Arterial-phase contrast-enhanced abdominal CT, axial slice 252 of 673 (counted from the lowest slice); tube voltage 120 kVp, convolution kernel I30f; slices 1.00 mm thick, 0.855 mm per pixel.
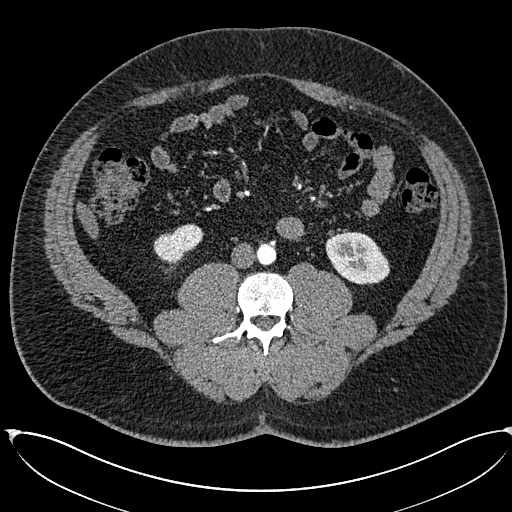
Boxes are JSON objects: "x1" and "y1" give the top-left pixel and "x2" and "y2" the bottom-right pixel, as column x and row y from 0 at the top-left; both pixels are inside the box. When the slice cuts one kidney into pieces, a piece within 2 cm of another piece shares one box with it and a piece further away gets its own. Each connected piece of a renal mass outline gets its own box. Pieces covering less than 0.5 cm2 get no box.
Boxed on this slice (two kidney boxes), listed by box centre from the image's left to its right: (1) Box {"x1": 153, "y1": 224, "x2": 203, "y2": 263}: right kidney (outlined area 1,293 px, about 9.5 cm2). (2) Box {"x1": 325, "y1": 232, "x2": 389, "y2": 284}: left kidney (outlined area 2,547 px, about 18.6 cm2). No renal mass is outlined on this slice.